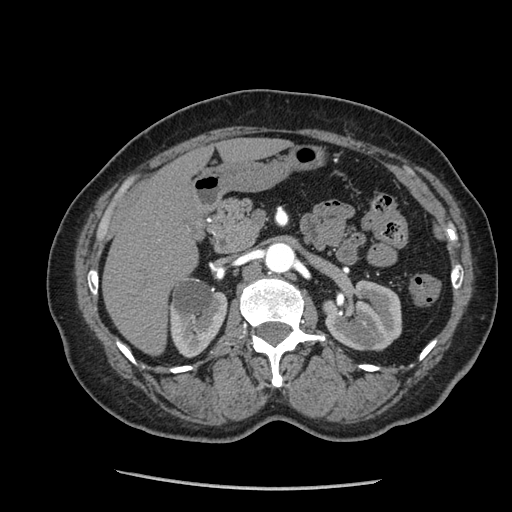
Arterial-phase contrast-enhanced abdominal CT, axial slice 136 of 233 (counted from the lowest slice); tube voltage 120 kVp, convolution kernel STANDARD; slices 1.25 mm thick, 0.703 mm per pixel.
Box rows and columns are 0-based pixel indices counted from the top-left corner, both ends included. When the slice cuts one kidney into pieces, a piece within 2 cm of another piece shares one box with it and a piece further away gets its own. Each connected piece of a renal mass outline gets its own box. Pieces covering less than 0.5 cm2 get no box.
Two kidney boxes on this slice; by box centre, from the image's left to its right: (1) Right kidney, box rows 277–358, columns 169–227 (outlined area 3,543 px, about 17.5 cm2). (2) Left kidney, box rows 280–351, columns 323–402 (outlined area 4,252 px, about 21.0 cm2).